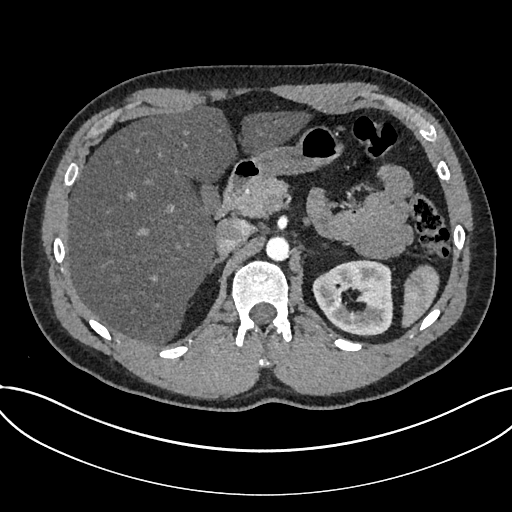
Axial slice 503 of 735 of a contrast-enhanced abdominal CT in the arterial phase (slice 1 is the lowest), 120 kVp, kernel I30f; 1.00 mm slice thickness and 0.789 mm pixels.
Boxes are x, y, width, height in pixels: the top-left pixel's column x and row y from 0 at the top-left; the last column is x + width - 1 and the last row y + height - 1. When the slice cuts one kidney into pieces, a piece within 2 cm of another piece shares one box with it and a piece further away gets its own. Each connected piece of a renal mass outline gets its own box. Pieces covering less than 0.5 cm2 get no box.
Box x 312, y 260, width 81, height 77: kidney (outlined area 4,669 px, about 29.1 cm2). No renal mass outline on this slice.